Abdominal CT with intravenous contrast, axial plane, 120 kVp, kernel B30f. Slice 207/433 from the bottom of the scan; thickness 1.00 mm; pixel size 0.672 mm.
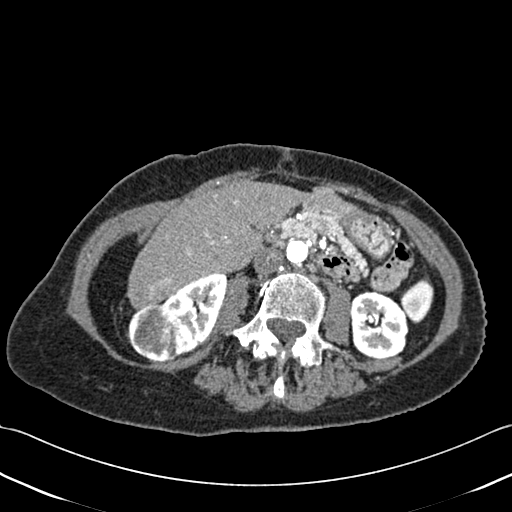
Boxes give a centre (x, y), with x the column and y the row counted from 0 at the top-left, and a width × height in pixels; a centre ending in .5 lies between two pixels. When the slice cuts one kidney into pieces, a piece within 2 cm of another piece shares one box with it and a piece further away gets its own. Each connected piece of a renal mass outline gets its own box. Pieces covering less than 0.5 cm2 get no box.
Two kidney boxes and one renal mass box on this slice; by box centre, from the image's left to its right: (1) Right renal mass in a box with centre (155, 332), 59 × 59 pixels (outlined area 2,620 px, about 11.8 cm2). (2) Right kidney, box centre (195, 313.5), 65 × 82 pixels (outlined area 2,886 px, about 13.0 cm2). (3) Box centre (379, 324.5), 59 × 70 pixels: left kidney (outlined area 3,248 px, about 14.7 cm2).